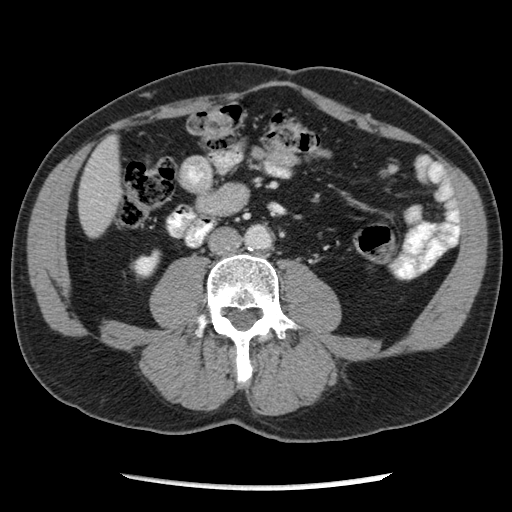
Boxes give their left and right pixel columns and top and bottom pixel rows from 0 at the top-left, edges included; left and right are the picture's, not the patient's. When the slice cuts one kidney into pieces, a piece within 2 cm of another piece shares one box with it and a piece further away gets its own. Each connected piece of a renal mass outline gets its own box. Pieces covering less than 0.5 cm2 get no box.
Arterial-phase contrast-enhanced abdominal CT, axial slice 99 of 262 (counted from the lowest slice); 2.50 mm thick, 0.703 mm per pixel. Right kidney in the box with left 130, top 249, right 161, bottom 280 (outlined area 598 px, about 3.0 cm2). This slice carries no renal mass outline.
Acquired at 120 kVp and reconstructed with the STANDARD kernel.